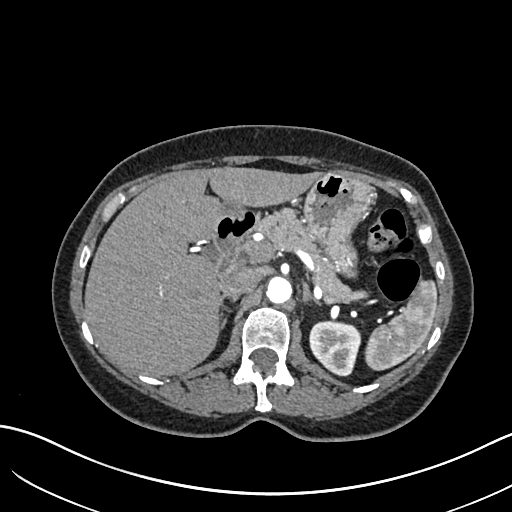
Arterial-phase contrast-enhanced abdominal CT, axial slice 454 of 683 (counted from the lowest slice); tube voltage 120 kVp, convolution kernel I30f; slices 1.00 mm thick, 0.738 mm per pixel.
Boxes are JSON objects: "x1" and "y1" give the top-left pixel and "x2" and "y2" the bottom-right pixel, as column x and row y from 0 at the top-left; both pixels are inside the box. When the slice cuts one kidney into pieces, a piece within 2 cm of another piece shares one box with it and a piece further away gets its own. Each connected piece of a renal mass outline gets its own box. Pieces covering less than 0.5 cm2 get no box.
Left kidney at {"x1": 309, "y1": 321, "x2": 361, "y2": 376} (outlined area 2,230 px, about 12.2 cm2). No renal mass is outlined on this slice.